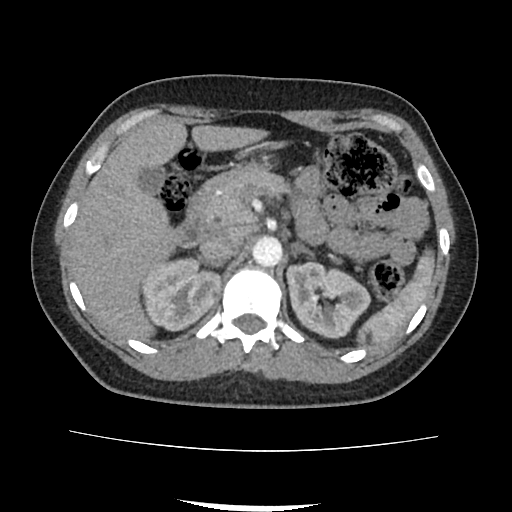
Axial slice 64 of 103 of a contrast-enhanced abdominal CT (slice 1 is the lowest), 120 kVp, kernel FC18; 3.00 mm slice thickness and 0.714 mm pixels.
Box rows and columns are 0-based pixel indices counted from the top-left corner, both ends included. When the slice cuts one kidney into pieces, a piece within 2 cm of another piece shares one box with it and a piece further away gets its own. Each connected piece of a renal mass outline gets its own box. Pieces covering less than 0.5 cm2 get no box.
Two boxes on this slice (two kidney boxes), listed by box centre from the image's left to its right. (1) Right kidney, box rows 257–331, columns 141–221 (outlined area 4,466 px, about 22.8 cm2). (2) Box rows 260–339, columns 285–371: left kidney (outlined area 4,709 px, about 24.0 cm2). No renal mass is outlined on this slice.